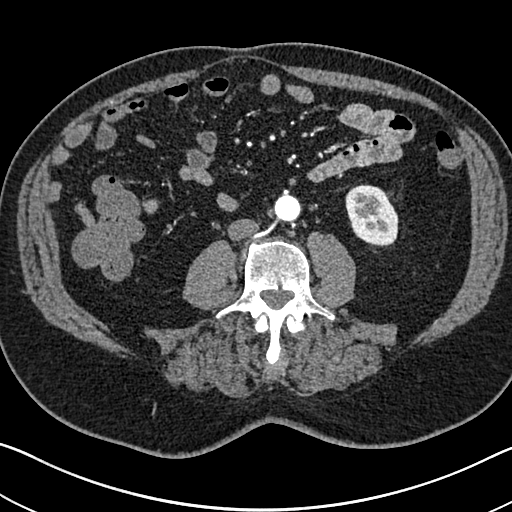
Abdominal CT with intravenous contrast, arterial phase, axial plane, 120 kVp, kernel I30f. Slice 296/705 from the bottom of the scan; thickness 1.00 mm; pixel size 0.703 mm.
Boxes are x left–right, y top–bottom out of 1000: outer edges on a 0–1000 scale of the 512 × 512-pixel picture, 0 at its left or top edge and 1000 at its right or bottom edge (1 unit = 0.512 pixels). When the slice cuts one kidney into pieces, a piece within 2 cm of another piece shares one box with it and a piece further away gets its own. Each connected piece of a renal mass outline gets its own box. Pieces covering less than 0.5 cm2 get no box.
Left kidney at x 674–779, y 359–482 out of 1000 (outlined area 2,574 px, about 12.7 cm2). No renal mass outline on this slice.